Abdominal CT with intravenous contrast, arterial phase, axial plane, 120 kVp, kernel I31f. Slice 95/227 from the bottom of the scan; thickness 3.00 mm; pixel size 0.816 mm.
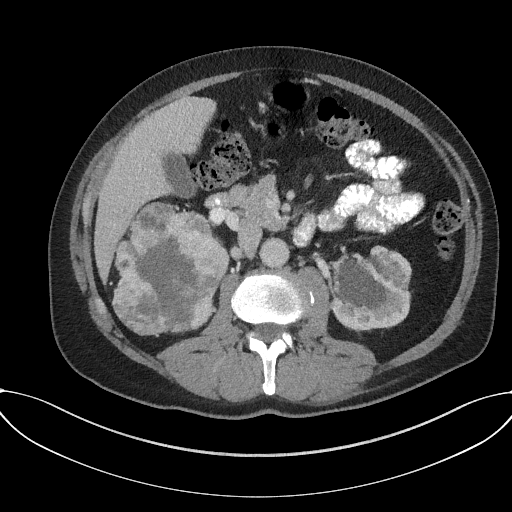
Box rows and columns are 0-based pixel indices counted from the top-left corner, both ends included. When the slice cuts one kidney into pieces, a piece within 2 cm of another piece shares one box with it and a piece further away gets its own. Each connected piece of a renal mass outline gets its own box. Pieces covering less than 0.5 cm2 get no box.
Boxed on this slice (one kidney box and one renal mass box), listed by box centre from the image's left to its right: (1) Right renal mass at rows 202–335, columns 111–229 (outlined area 11,766 px, about 78.4 cm2); it sits over 1 cm from every kidney outline on this slice, but the same outlined renal mass comes within 1 cm of the kidney on another slice. (2) Box rows 245–330, columns 331–411: left kidney (outlined area 5,431 px, about 36.2 cm2).